One axial slice (450 of 719, counting up from the lowest) of an arterial-phase abdominal CT acquired with 120 kVp, kernel B20f; each pixel is 0.766 mm and the slice is 1.00 mm thick.
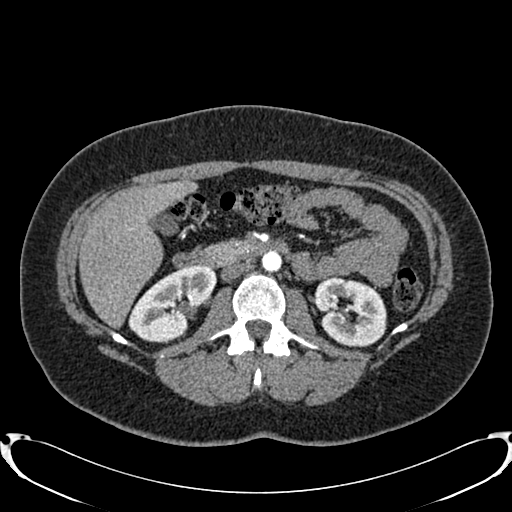
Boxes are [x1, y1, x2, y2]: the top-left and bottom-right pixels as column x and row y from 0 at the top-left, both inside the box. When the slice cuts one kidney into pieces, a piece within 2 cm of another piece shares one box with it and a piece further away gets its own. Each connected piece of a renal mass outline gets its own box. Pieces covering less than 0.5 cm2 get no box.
Two boxes on this slice (two kidney boxes), listed by box centre from the image's left to its right. (1) Right kidney at [128, 265, 216, 343] (outlined area 4,387 px, about 25.7 cm2). (2) Box [313, 276, 386, 347]: left kidney (outlined area 3,870 px, about 22.7 cm2). This slice carries no renal mass outline.